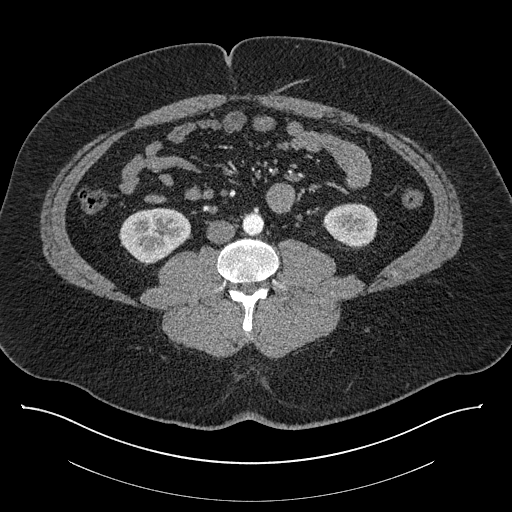
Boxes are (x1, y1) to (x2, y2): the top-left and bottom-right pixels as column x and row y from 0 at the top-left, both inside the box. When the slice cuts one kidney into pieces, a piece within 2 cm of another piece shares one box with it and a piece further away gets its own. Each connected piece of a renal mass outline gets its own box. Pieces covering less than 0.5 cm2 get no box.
This is axial slice 375 of 787 (slice 1 is the lowest) of an abdominal CT with contrast; each pixel is 0.910 mm and the slice is 1.00 mm thick. Two kidney boxes on this slice; by box centre, from the image's left to its right: (1) Box (119, 208) to (190, 264): right kidney (outlined area 2,979 px, about 24.7 cm2). (2) Left kidney from (322, 203) to (378, 247) (outlined area 1,907 px, about 15.8 cm2). No renal mass is outlined on this slice.
Acquired at 140 kVp and reconstructed with the I30f kernel.